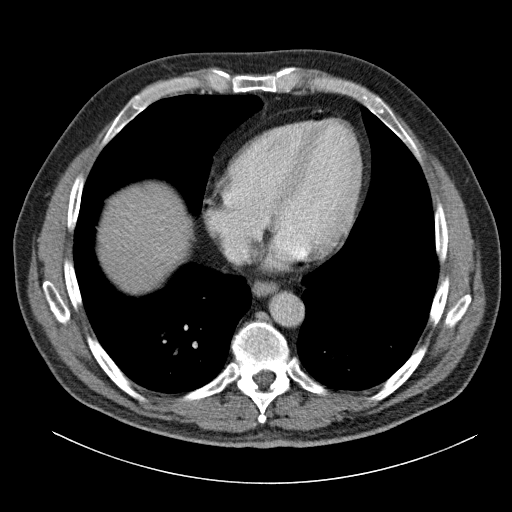
One axial slice (104 of 140, counting up from the lowest) of an arterial-phase abdominal CT acquired with 120 kVp, kernel B31f; each pixel is 0.754 mm and the slice is 5.00 mm thick.
Outside the outlined region: no kidney outline and no renal mass outline on this slice. The scan's outlines cover only kidneys and renal masses; no other organ is outlined.